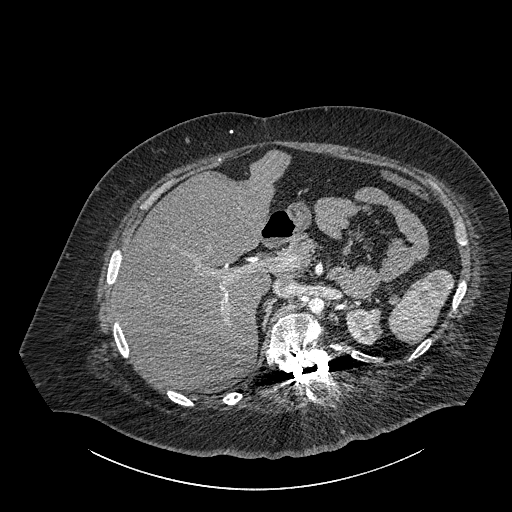
Axial slice 629 of 834 of a contrast-enhanced abdominal CT (slice 1 is the lowest), 140 kVp, kernel I30f; 1.00 mm slice thickness and 0.977 mm pixels.
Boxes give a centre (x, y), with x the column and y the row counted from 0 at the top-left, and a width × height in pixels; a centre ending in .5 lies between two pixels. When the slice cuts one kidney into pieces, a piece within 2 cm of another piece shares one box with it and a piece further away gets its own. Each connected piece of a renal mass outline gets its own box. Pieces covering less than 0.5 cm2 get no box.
Box centre (363.5, 326.5), 38 × 38 pixels: left part of the midline-crossing kidney (outlined area 1,109 px, about 10.6 cm2). No renal mass outline on this slice.